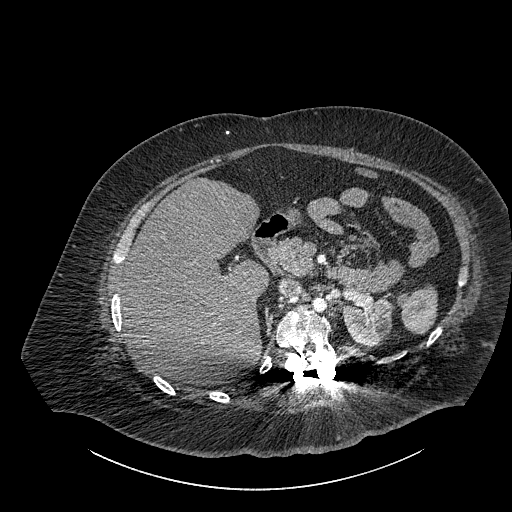
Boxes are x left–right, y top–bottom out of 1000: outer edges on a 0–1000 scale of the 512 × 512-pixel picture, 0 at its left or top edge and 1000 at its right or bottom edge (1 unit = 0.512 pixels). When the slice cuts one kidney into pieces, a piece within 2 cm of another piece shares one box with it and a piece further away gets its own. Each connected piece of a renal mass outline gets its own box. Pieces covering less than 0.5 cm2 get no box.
Slice 606/834 of a contrast-enhanced abdominal CT, counting up from the lowest; pixel size 0.977 mm, slice thickness 1.00 mm. Left part of the midline-crossing kidney, box x 668–766, y 580–678 out of 1000 (outlined area 1,925 px, about 18.4 cm2). No renal mass outline on this slice.
Scan settings: 140 kVp, I30f reconstruction kernel.